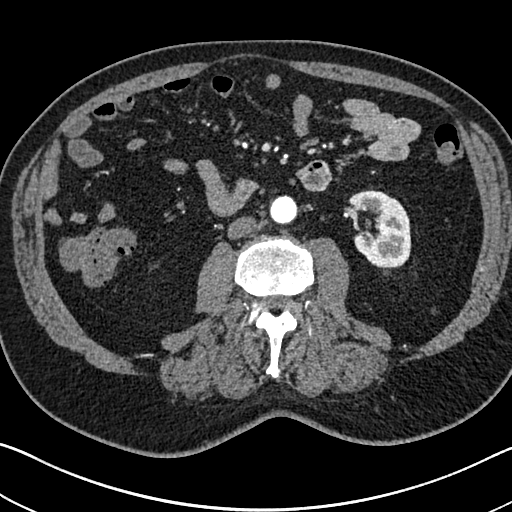
Arterial-phase contrast-enhanced abdominal CT, axial slice 338 of 705 (counted from the lowest slice); tube voltage 120 kVp, convolution kernel I30f; slices 1.00 mm thick, 0.703 mm per pixel.
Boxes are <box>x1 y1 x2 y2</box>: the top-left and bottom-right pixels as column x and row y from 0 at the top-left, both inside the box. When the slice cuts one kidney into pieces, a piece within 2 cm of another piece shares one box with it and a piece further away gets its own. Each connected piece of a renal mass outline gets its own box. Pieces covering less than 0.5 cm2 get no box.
Left kidney at <box>348 190 411 270</box> (outlined area 3,683 px, about 18.2 cm2). No renal mass outline on this slice.